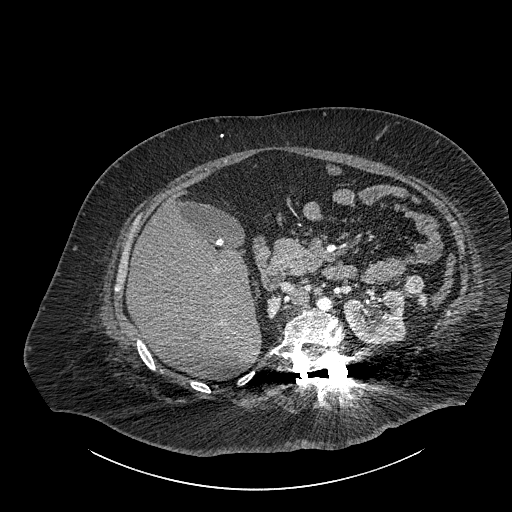
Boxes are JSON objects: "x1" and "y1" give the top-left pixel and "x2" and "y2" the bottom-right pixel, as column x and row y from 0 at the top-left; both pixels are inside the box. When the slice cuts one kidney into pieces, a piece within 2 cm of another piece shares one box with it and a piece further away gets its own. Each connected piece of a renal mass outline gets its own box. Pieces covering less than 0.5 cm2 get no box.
Contrast-enhanced abdominal CT, axial slice 572 of 834 (counted from the lowest slice); 1.00 mm thick, 0.977 mm per pixel. Three boxes on this slice (two kidney boxes and one renal mass box), listed by box centre from the image's left to its right. (1) Box {"x1": 267, "y1": 296, "x2": 279, "y2": 316}: right part of the midline-crossing kidney (outlined area 193 px, about 1.8 cm2). (2) Box {"x1": 343, "y1": 290, "x2": 405, "y2": 344}: left part of the midline-crossing kidney (outlined area 2,714 px, about 25.9 cm2). (3) Box {"x1": 402, "y1": 275, "x2": 426, "y2": 304}: renal mass (outlined area 469 px, about 4.5 cm2).
Acquired at 140 kVp and reconstructed with the I30f kernel.